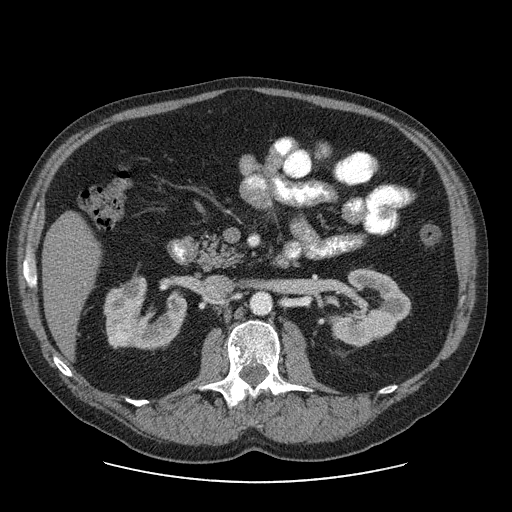
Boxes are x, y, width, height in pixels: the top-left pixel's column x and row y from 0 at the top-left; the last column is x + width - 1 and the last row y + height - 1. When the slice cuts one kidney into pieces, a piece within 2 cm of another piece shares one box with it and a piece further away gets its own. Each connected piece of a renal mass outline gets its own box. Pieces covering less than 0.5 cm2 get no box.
Contrast-enhanced abdominal CT, axial slice 41 of 103 (counted from the lowest slice); 2.50 mm thick, 0.820 mm per pixel. Two kidney boxes and one renal mass box on this slice; by box centre, from the image's left to its right: (1) Box x 106, y 318, width 31, height 31: right renal mass (outlined area 683 px, about 4.6 cm2). (2) Box x 103, y 274, width 85, height 76: right kidney (outlined area 3,522 px, about 23.7 cm2). (3) Left kidney at x 327, y 268, width 85, height 78 (outlined area 4,000 px, about 26.9 cm2).
Scan settings: 120 kVp, STANDARD reconstruction kernel.